Arterial-phase contrast-enhanced abdominal CT, axial slice 263 of 538 (counted from the lowest slice); tube voltage 120 kVp, convolution kernel B30f; slices 1.00 mm thick, 0.811 mm per pixel.
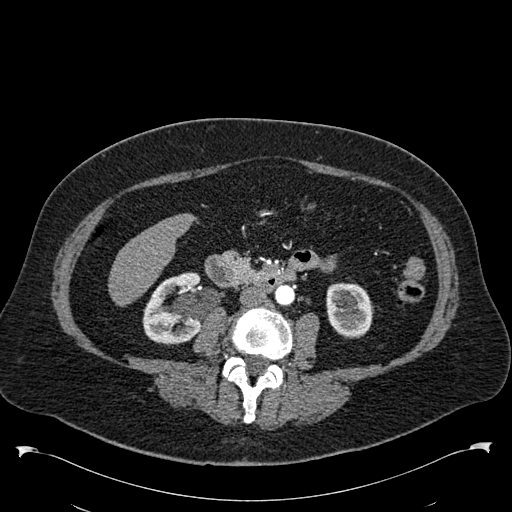
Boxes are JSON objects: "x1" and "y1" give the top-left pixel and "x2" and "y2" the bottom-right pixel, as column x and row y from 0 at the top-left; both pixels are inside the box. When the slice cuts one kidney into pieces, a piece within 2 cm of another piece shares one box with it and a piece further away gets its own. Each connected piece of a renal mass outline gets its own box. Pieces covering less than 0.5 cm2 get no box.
Boxed on this slice (two kidney boxes), listed by box centre from the image's left to its right: (1) Box {"x1": 142, "y1": 272, "x2": 200, "y2": 345}: right kidney (outlined area 3,326 px, about 21.9 cm2). (2) Box {"x1": 326, "y1": 282, "x2": 373, "y2": 338}: left kidney (outlined area 2,178 px, about 14.3 cm2). No renal mass is outlined on this slice.